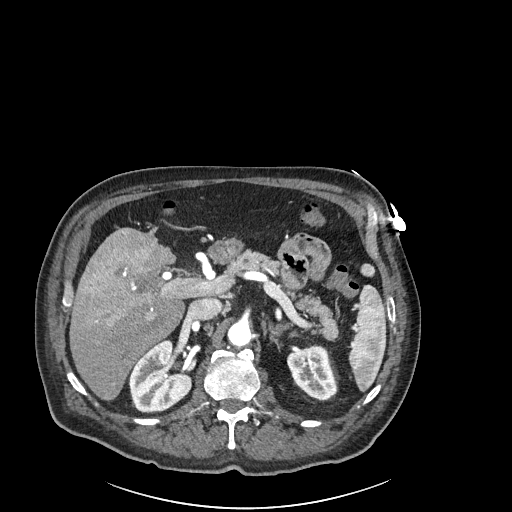
Axial slice 147 of 261 of a contrast-enhanced abdominal CT in the arterial phase (slice 1 is the lowest), 120 kVp, kernel I30f; 2.00 mm slice thickness and 0.939 mm pixels.
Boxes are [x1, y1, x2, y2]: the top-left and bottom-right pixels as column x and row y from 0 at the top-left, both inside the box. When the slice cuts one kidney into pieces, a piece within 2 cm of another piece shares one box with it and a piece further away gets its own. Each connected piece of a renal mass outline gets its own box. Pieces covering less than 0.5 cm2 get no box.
Two boxes on this slice (two kidney boxes), listed by box centre from the image's left to its right. (1) Box [128, 339, 192, 413]: right kidney (outlined area 3,358 px, about 29.6 cm2). (2) Left kidney, box [287, 346, 337, 400] (outlined area 1,937 px, about 17.1 cm2). No renal mass is outlined on this slice.